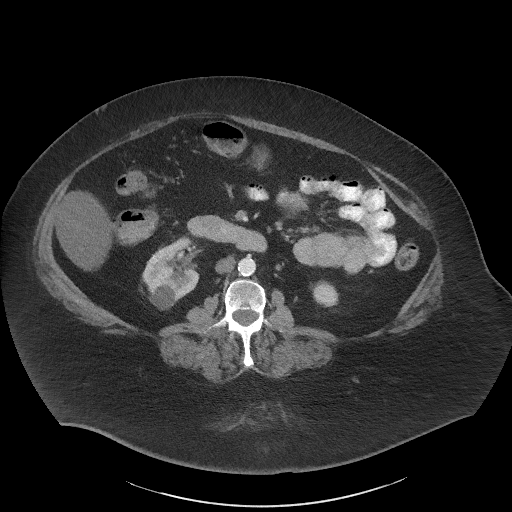
Arterial-phase contrast-enhanced abdominal CT, axial slice 21 of 61 (counted from the lowest slice); tube voltage 140 kVp, convolution kernel I41f; slices 3.00 mm thick, 0.947 mm per pixel.
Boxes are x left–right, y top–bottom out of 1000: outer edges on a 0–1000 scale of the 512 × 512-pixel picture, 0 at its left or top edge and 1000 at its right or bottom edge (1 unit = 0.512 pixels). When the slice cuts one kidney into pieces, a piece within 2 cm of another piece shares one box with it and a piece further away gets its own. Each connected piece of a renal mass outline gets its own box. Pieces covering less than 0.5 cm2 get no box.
Boxed on this slice (two kidney boxes), listed by box centre from the image's left to its right: (1) Box x 275–393, y 461–607 out of 1000: right kidney (outlined area 2,940 px, about 26.4 cm2). (2) Left kidney at x 607–662, y 547–602 out of 1000 (outlined area 587 px, about 5.3 cm2). No renal mass outline on this slice.